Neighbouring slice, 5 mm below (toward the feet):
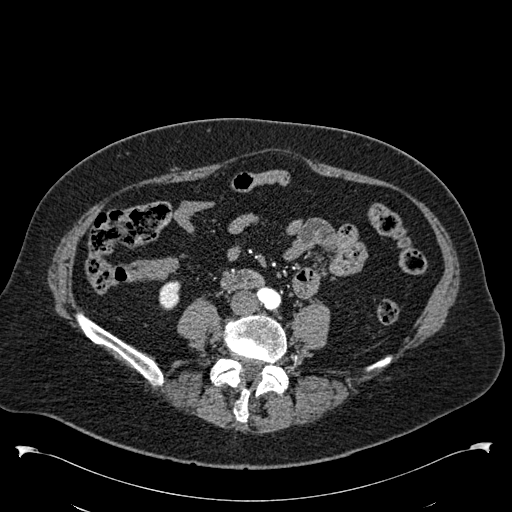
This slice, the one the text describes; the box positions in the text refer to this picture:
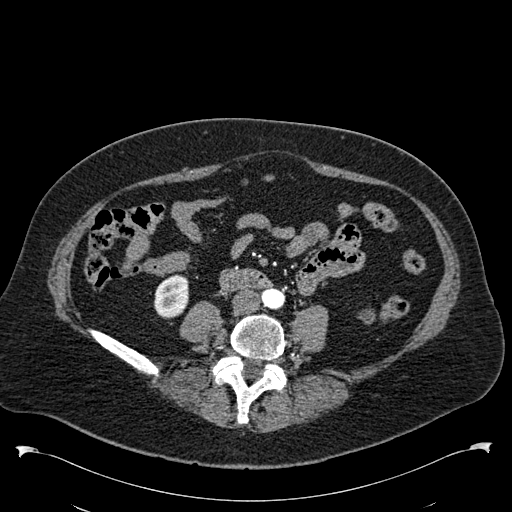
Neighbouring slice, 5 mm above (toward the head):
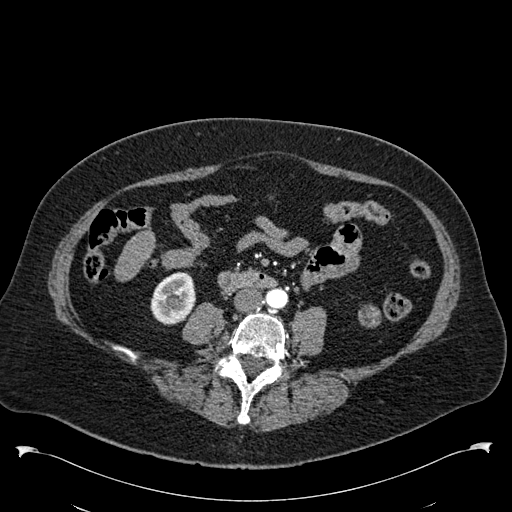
Abdominal CT with intravenous contrast, arterial phase, axial plane, 120 kVp, kernel B30f. Slice 207/538 from the bottom of the scan; thickness 1.00 mm; pixel size 0.811 mm.
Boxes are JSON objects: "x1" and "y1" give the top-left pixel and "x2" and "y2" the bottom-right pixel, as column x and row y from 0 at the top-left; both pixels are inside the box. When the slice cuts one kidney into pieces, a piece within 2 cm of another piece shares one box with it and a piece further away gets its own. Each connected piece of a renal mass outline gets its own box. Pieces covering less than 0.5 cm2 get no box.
One kidney box and one renal mass box on this slice; by box centre, from the image's left to its right: (1) Box {"x1": 154, "y1": 274, "x2": 188, "y2": 318}: right kidney (outlined area 1,250 px, about 8.2 cm2). (2) Box {"x1": 358, "y1": 309, "x2": 375, "y2": 324}: left renal mass (outlined area 189 px, about 1.2 cm2); here it is more than 1 cm from any kidney outline, though on another slice the same outlined renal mass lies within 1 cm of the kidney. This slice is near the end of the left renal mass toward the feet, so the slices 5 mm below and 5 mm above it are shown as well; the boxes refer to this slice only.